Abdominal CT with intravenous contrast, arterial phase, axial plane, 100 kVp, kernel I26f. Slice 395/665 from the bottom of the scan; thickness 1.00 mm; pixel size 0.828 mm.
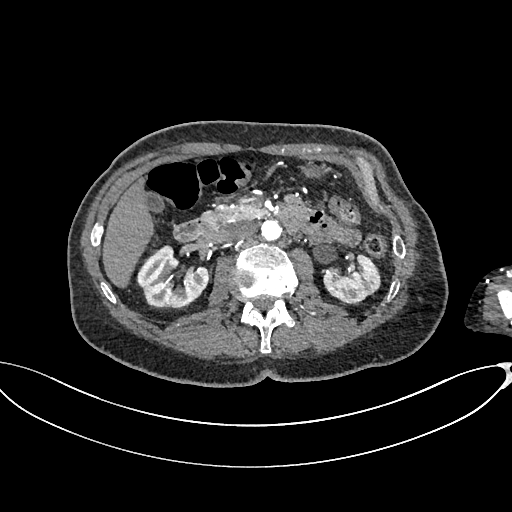
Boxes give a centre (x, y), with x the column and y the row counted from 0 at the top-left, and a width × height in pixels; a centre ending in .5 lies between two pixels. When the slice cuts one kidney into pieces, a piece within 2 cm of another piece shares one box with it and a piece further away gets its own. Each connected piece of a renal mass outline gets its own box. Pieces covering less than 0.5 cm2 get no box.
Two boxes on this slice (two kidney boxes), listed by box centre from the image's left to its right. (1) Right kidney in a box with centre (172, 276), 73 × 65 pixels (outlined area 3,100 px, about 21.3 cm2). (2) Left kidney in a box with centre (351.5, 278.5), 58 × 52 pixels (outlined area 2,037 px, about 14.0 cm2). No renal mass is outlined on this slice.